One axial slice (113 of 270, counting up from the lowest) of an arterial-phase abdominal CT acquired with 100 kVp, kernel I40f; each pixel is 0.855 mm and the slice is 2.00 mm thick.
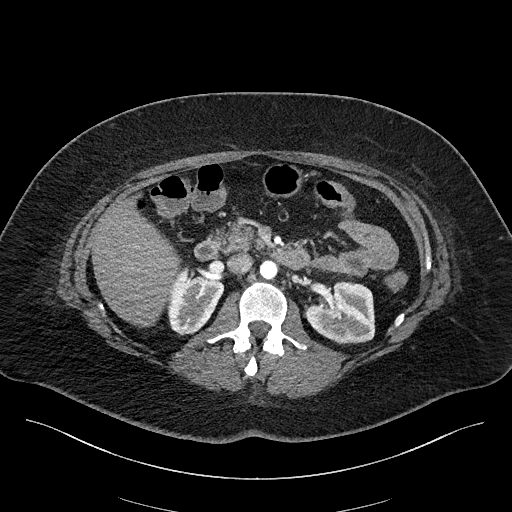
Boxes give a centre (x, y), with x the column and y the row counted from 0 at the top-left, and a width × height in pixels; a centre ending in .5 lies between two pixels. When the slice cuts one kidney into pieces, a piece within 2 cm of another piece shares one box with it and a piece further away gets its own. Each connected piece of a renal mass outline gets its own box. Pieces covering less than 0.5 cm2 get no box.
Two kidney boxes on this slice; by box centre, from the image's left to its right: (1) Box centre (195.5, 300), 58 × 71 pixels: right kidney (outlined area 2,751 px, about 20.1 cm2). (2) Left kidney in a box with centre (339.5, 312.5), 72 × 64 pixels (outlined area 3,453 px, about 25.3 cm2). No renal mass outline on this slice.